Axial slice 368 of 738 of a contrast-enhanced abdominal CT in the arterial phase (slice 1 is the lowest), 120 kVp, kernel I30f; 1.00 mm slice thickness and 0.789 mm pixels.
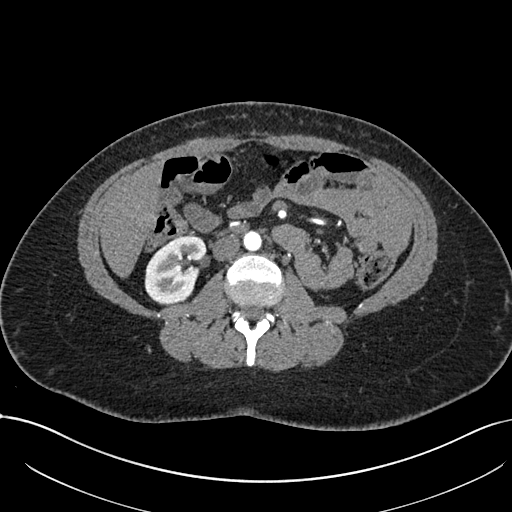
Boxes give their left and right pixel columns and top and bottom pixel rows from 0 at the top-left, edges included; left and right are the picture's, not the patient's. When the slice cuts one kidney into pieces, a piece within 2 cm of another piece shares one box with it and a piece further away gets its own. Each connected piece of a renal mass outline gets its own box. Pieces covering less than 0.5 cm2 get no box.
Right kidney in the box with left 144, top 235, right 207, bottom 304 (outlined area 3,176 px, about 19.8 cm2). No renal mass is outlined on this slice.